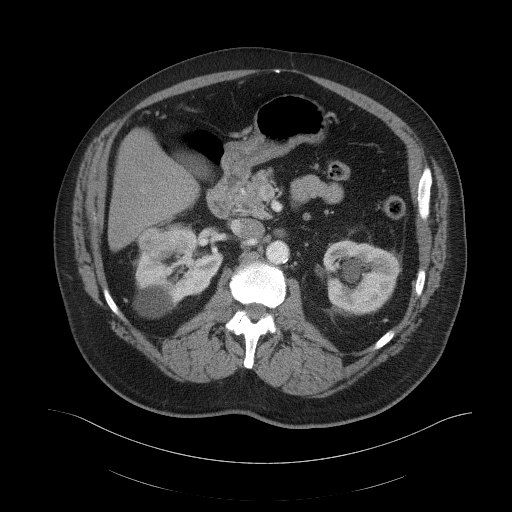
One axial slice (72 of 103, counting up from the lowest) of an arterial-phase abdominal CT acquired with 120 kVp, kernel B41f; each pixel is 0.951 mm and the slice is 5.00 mm thick.
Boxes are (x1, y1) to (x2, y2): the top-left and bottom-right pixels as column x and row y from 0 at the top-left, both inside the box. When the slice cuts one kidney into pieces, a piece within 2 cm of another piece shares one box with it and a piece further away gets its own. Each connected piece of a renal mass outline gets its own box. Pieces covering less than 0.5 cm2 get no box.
Two kidney boxes and one renal mass box on this slice; by box centre, from the image's left to its right: (1) Right renal mass from (136, 224) to (173, 260) (outlined area 1,006 px, about 9.1 cm2). (2) Right kidney, box (134, 223) to (223, 317) (outlined area 5,031 px, about 45.5 cm2). (3) Left kidney, box (322, 239) to (400, 313) (outlined area 4,512 px, about 40.8 cm2).